Abdominal CT with intravenous contrast, arterial phase, axial plane, 120 kVp, kernel STANDARD. Slice 128/186 from the bottom of the scan; thickness 2.50 mm; pixel size 0.742 mm.
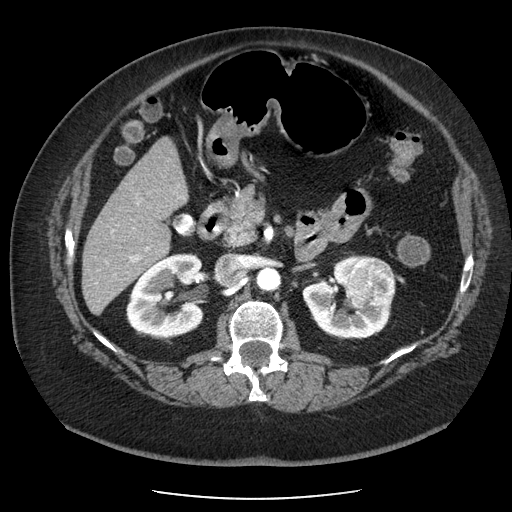
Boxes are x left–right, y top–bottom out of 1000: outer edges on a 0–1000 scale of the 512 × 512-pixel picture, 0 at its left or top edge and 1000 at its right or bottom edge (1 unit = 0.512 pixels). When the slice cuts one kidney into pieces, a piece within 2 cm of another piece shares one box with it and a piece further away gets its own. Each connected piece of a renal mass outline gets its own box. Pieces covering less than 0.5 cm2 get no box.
Three boxes on this slice (two kidney boxes and one renal mass box), listed by box centre from the image's left to its right. (1) Right kidney, box x 246–400, y 494–662 out of 1000 (outlined area 5,201 px, about 28.6 cm2). (2) Box x 590–766, y 496–664 out of 1000: left kidney (outlined area 3,843 px, about 21.2 cm2). (3) Left renal mass at x 678–775, y 498–600 out of 1000 (outlined area 2,056 px, about 11.3 cm2).